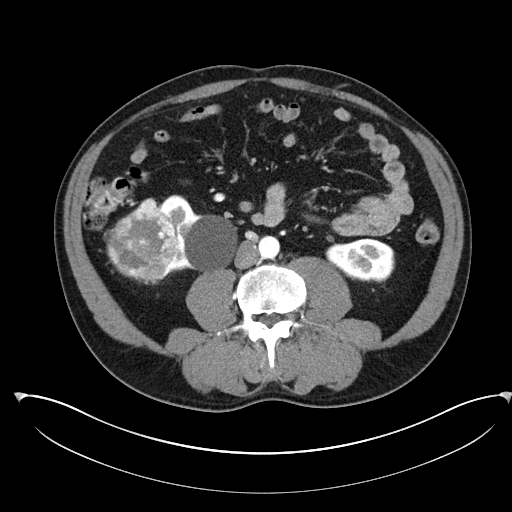
One axial slice (115 of 302, counting up from the lowest) of an arterial-phase abdominal CT acquired with 100 kVp, kernel I30f; each pixel is 0.875 mm and the slice is 5.00 mm thick.
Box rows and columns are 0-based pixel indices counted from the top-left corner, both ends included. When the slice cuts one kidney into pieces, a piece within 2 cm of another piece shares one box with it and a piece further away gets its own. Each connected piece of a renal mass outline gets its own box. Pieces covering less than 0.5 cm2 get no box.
Boxed on this slice (two kidney boxes and one renal mass box), listed by box centre from the image's left to its right: (1) Right renal mass at rows 198–284, columns 104–178 (outlined area 4,426 px, about 33.9 cm2). (2) Right kidney at rows 194–274, columns 158–237 (outlined area 3,738 px, about 28.6 cm2). (3) Left kidney, box rows 238–282, columns 325–394 (outlined area 2,359 px, about 18.1 cm2).